Abdominal CT with intravenous contrast, arterial phase, axial plane, 120 kVp, kernel STANDARD. Slice 37/69 from the bottom of the scan; thickness 2.50 mm; pixel size 0.846 mm.
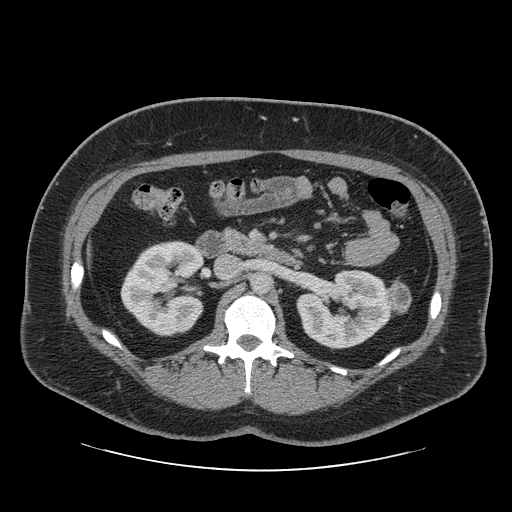
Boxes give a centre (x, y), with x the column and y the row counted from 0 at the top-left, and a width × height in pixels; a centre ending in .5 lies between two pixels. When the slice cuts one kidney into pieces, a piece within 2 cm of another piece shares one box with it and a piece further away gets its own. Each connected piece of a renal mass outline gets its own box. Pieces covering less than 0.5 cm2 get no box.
Boxed on this slice (two kidney boxes and one renal mass box), listed by box centre from the image's left to its right: (1) Right kidney, box centre (162, 288), 85 × 97 pixels (outlined area 6,225 px, about 44.5 cm2). (2) Box centre (344.5, 309), 98 × 81 pixels: left kidney (outlined area 5,510 px, about 39.4 cm2). (3) Left renal mass in a box with centre (398, 296), 27 × 37 pixels (outlined area 711 px, about 5.1 cm2).